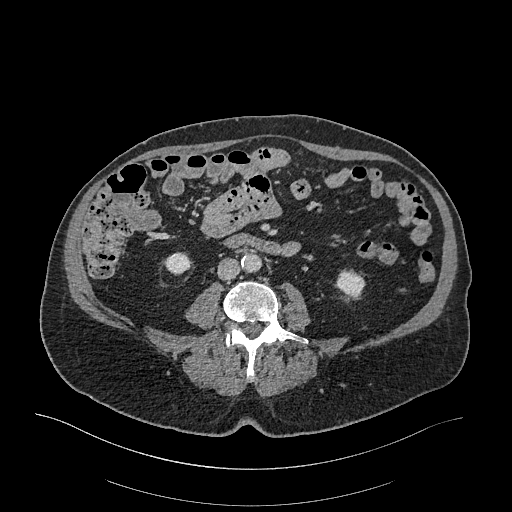
Abdominal CT with intravenous contrast, arterial phase, axial plane, 120 kVp, kernel I26f. Slice 70/470 from the bottom of the scan; thickness 1.00 mm; pixel size 0.938 mm.
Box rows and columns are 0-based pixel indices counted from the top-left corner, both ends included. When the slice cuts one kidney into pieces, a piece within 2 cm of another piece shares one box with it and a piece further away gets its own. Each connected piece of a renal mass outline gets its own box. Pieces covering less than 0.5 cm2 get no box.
Boxed on this slice (two kidney boxes), listed by box centre from the image's left to its right: (1) Box rows 252–274, columns 164–190: right kidney (outlined area 468 px, about 4.1 cm2). (2) Left kidney at rows 270–296, columns 336–365 (outlined area 599 px, about 5.3 cm2). No renal mass outline on this slice.